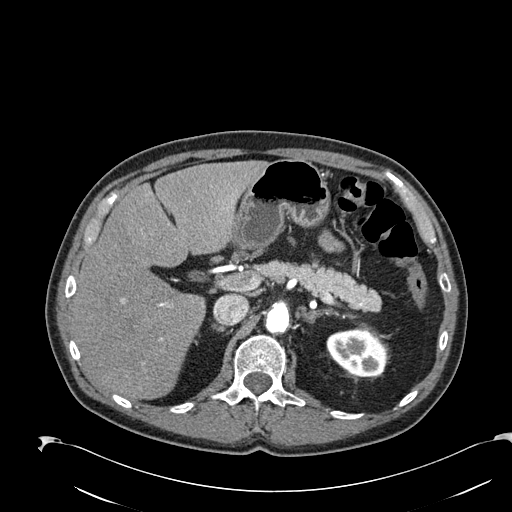
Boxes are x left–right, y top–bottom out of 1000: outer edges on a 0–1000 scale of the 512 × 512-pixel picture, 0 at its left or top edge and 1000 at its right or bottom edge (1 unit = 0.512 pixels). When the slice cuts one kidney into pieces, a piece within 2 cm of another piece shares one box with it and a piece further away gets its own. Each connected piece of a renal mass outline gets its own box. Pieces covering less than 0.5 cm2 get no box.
This is axial slice 159 of 274 (slice 1 is the lowest) of an arterial-phase abdominal CT with contrast; each pixel is 0.809 mm and the slice is 2.00 mm thick. Left kidney at x 637–756, y 643–736 out of 1000 (outlined area 2,289 px, about 15.0 cm2). No renal mass outline on this slice.
Acquired at 120 kVp and reconstructed with the B30f kernel.